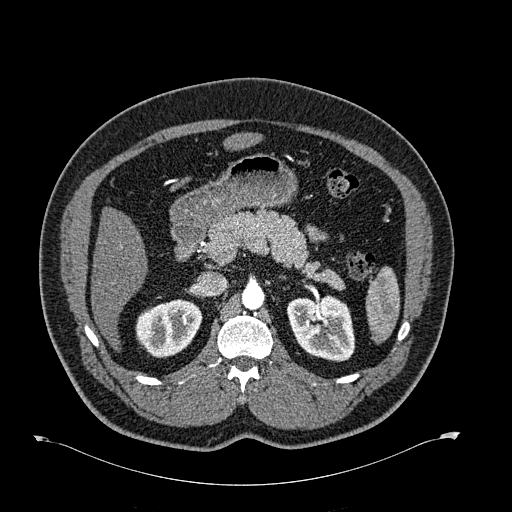
One axial slice (422 of 723, counting up from the lowest) of an arterial-phase abdominal CT acquired with 120 kVp, kernel B30f; each pixel is 0.895 mm and the slice is 1.00 mm thick.
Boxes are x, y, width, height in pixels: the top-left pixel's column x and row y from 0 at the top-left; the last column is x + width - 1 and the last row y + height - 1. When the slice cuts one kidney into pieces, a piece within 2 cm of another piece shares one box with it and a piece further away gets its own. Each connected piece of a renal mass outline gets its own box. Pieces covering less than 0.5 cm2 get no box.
Two kidney boxes on this slice; by box centre, from the image's left to its right: (1) Right kidney, box x 135, y 299, width 68, height 59 (outlined area 2,951 px, about 23.6 cm2). (2) Left kidney at x 286, y 294, width 70, height 68 (outlined area 3,596 px, about 28.8 cm2). This slice carries no renal mass outline.